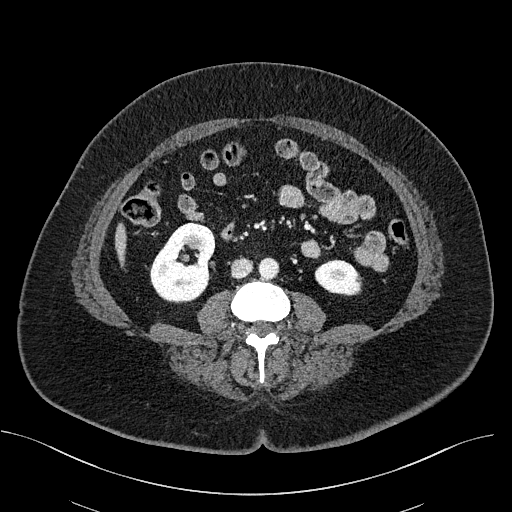
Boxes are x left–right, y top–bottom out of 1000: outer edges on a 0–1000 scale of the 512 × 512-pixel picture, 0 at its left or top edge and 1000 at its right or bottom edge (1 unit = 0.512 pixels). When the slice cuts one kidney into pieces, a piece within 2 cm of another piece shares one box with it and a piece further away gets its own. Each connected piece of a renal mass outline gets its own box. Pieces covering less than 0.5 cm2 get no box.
Contrast-enhanced abdominal CT, axial slice 259 of 470 (counted from the lowest slice); 2.00 mm thick, 0.824 mm per pixel. Two kidney boxes on this slice; by box centre, from the image's left to its right: (1) Right kidney at x 293–422, y 434–594 out of 1000 (outlined area 3,817 px, about 25.9 cm2). (2) Left kidney at x 613–707, y 506–578 out of 1000 (outlined area 1,326 px, about 9.0 cm2). No renal mass outline on this slice.
Tube voltage 100 kVp; convolution kernel I40f.